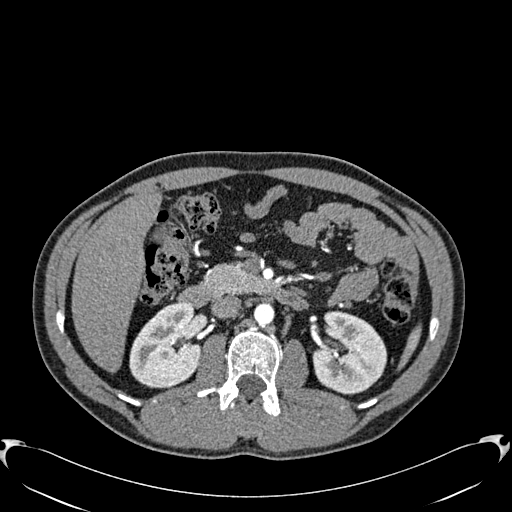
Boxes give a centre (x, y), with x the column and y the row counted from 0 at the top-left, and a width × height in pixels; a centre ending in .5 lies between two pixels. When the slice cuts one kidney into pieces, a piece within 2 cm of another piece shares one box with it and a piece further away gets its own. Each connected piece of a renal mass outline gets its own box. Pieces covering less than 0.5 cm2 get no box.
Arterial-phase contrast-enhanced abdominal CT, axial slice 358 of 512 (counted from the lowest slice); 1.00 mm thick, 0.771 mm per pixel. Two boxes on this slice (two kidney boxes), listed by box centre from the image's left to its right. (1) Right kidney in a box with centre (165, 345.5), 73 × 86 pixels (outlined area 4,675 px, about 27.8 cm2). (2) Box centre (350, 353), 75 × 85 pixels: left kidney (outlined area 4,683 px, about 27.9 cm2). No renal mass is outlined on this slice.
Acquired at 120 kVp and reconstructed with the B30f kernel.